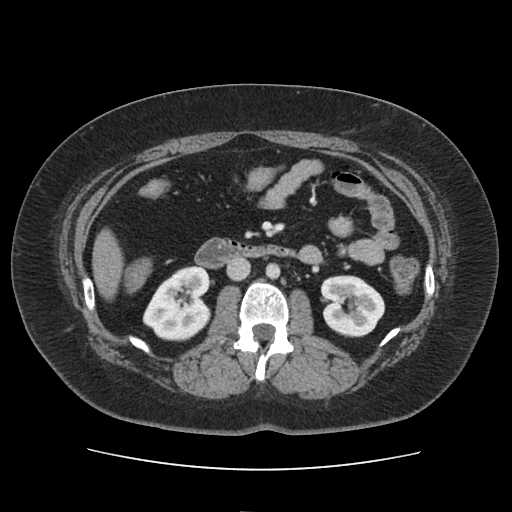
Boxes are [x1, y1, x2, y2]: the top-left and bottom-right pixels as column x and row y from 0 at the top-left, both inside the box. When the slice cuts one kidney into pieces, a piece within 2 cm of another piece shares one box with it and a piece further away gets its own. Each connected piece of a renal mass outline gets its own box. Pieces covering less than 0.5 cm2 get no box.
Arterial-phase contrast-enhanced abdominal CT, axial slice 65 of 103 (counted from the lowest slice); 5.00 mm thick, 0.873 mm per pixel. Boxed on this slice (two kidney boxes), listed by box centre from the image's left to its right: (1) Right kidney, box [142, 264, 212, 341] (outlined area 3,807 px, about 29.0 cm2). (2) Left kidney at [320, 275, 385, 337] (outlined area 3,165 px, about 24.1 cm2). This slice carries no renal mass outline.
Acquired at 120 kVp and reconstructed with the FC19 kernel.